Axial slice 102 of 262 of a contrast-enhanced abdominal CT in the arterial phase (slice 1 is the lowest), 120 kVp, kernel STANDARD; 2.50 mm slice thickness and 0.703 mm pixels.
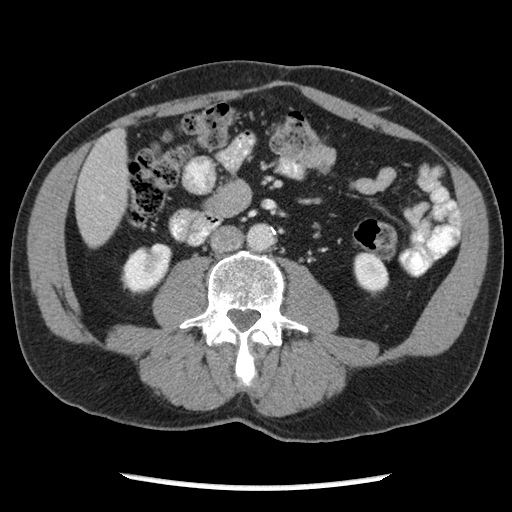
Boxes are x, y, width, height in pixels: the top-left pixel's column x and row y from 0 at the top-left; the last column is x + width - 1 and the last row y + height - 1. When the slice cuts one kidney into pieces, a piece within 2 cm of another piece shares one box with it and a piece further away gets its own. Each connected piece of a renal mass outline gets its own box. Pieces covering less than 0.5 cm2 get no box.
Boxed on this slice (two kidney boxes), listed by box centre from the image's left to its right: (1) Right kidney at x 120, y 243, width 53, height 52 (outlined area 1,922 px, about 9.5 cm2). (2) Left kidney at x 353, y 251, width 37, height 42 (outlined area 1,162 px, about 5.7 cm2). No renal mass outline on this slice.